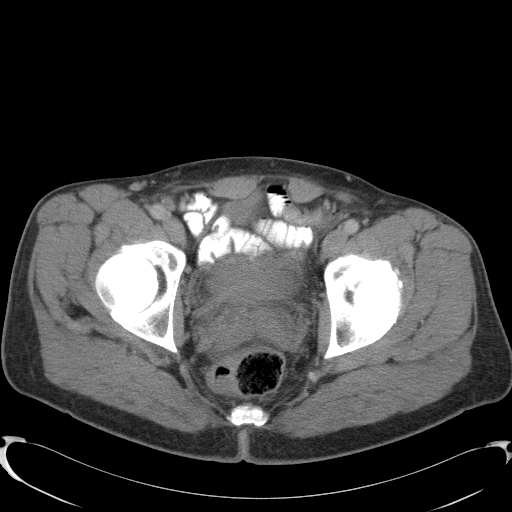
Abdominal CT with intravenous contrast, axial plane, 120 kVp, kernel B41f. Slice 21/91 from the bottom of the scan; thickness 5.00 mm; pixel size 0.762 mm.
This slice carries no outline: it lies beyond the outlined kidneys and beyond every outlined renal mass. Other organs are not outlined in this scan.